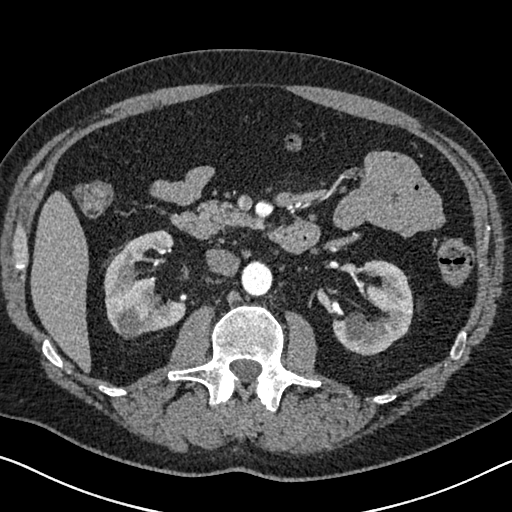
One axial slice (388 of 626, counting up from the lowest) of an arterial-phase abdominal CT acquired with 120 kVp, kernel I30f; each pixel is 0.703 mm and the slice is 1.00 mm thick.
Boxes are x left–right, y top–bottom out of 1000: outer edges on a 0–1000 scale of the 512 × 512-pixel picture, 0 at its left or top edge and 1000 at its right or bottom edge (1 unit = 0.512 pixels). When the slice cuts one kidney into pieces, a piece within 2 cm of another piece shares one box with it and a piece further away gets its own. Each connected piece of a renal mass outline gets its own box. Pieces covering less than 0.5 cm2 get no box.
Two boxes on this slice (two kidney boxes), listed by box centre from the image's left to its right. (1) Box x 201–363, y 449–662 out of 1000: right kidney (outlined area 5,571 px, about 27.5 cm2). (2) Left kidney at x 648–809, y 508–695 out of 1000 (outlined area 4,728 px, about 23.4 cm2). No renal mass is outlined on this slice.